Arterial-phase contrast-enhanced abdominal CT, axial slice 38 of 85 (counted from the lowest slice); tube voltage 100 kVp, convolution kernel I41f; slices 5.00 mm thick, 0.664 mm per pixel.
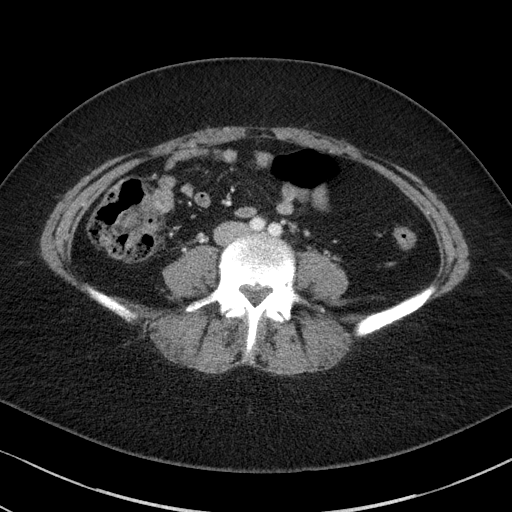
Neither a kidney nor a renal mass is outlined here. Only kidneys and renal masses are outlined anywhere in this scan; other structures are never outlined.